Abdominal CT with intravenous contrast, axial plane, 130 kVp, kernel B30s. Slice 61/98 from the bottom of the scan; thickness 5.00 mm; pixel size 0.840 mm.
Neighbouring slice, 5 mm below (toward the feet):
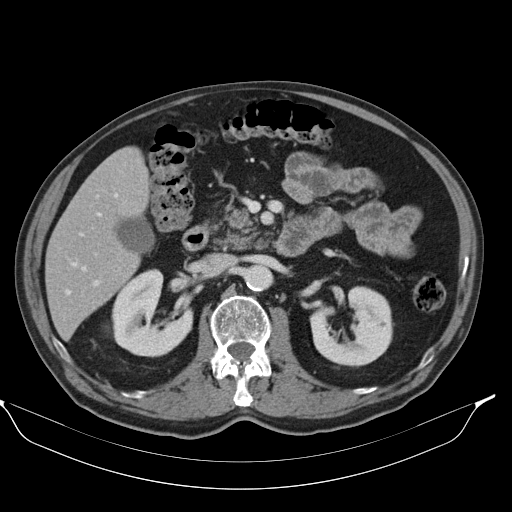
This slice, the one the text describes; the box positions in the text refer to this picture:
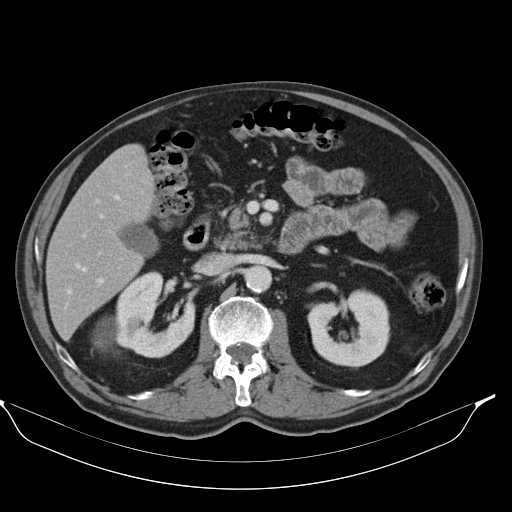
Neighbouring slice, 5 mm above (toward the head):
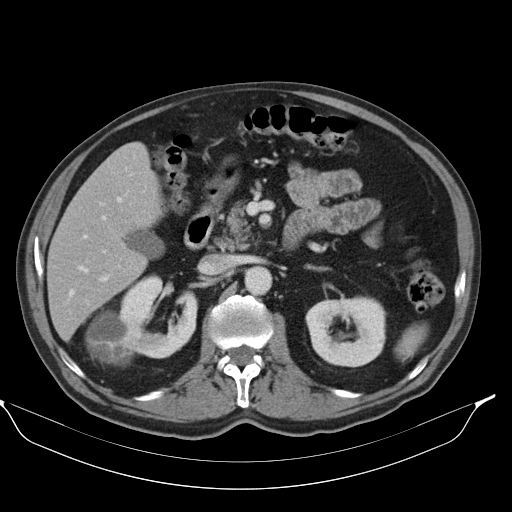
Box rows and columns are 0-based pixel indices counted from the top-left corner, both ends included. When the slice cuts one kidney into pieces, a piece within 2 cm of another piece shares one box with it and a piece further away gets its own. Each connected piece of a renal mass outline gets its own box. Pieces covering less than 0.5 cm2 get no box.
Three boxes on this slice (two kidney boxes and one renal mass box), listed by box centre from the image's left to its right. (1) Right renal mass at rows 316–351, columns 92–118 (outlined area 719 px, about 5.1 cm2). (2) Box rows 272–357, columns 114–195: right kidney (outlined area 4,569 px, about 32.2 cm2). (3) Box rows 289–364, columns 309–389: left kidney (outlined area 4,446 px, about 31.4 cm2). This slice lies near the end of the right renal mass toward the feet; the slices 5 mm below and 5 mm above it are shown too, and the boxes mark positions on this slice only.